One axial slice (456 of 683, counting up from the lowest) of an arterial-phase abdominal CT acquired with 120 kVp, kernel I30f; each pixel is 0.738 mm and the slice is 1.00 mm thick.
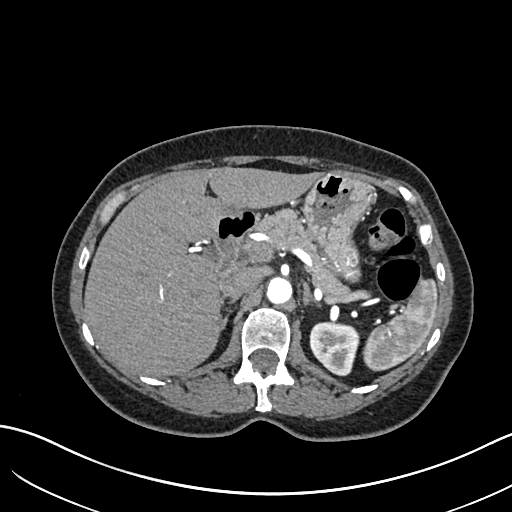
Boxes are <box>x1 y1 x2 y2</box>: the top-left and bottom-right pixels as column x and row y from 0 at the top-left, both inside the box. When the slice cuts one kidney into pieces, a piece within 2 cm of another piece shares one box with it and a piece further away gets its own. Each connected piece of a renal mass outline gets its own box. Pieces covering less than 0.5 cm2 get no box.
Left kidney: <box>309 322 359 376</box> (outlined area 2,096 px, about 11.4 cm2). No renal mass is outlined on this slice.